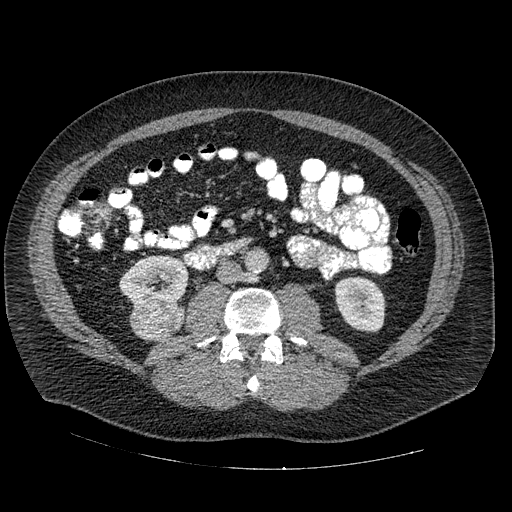
One axial slice (248 of 445, counting up from the lowest) of an arterial-phase abdominal CT acquired with 120 kVp, kernel STANDARD; each pixel is 0.863 mm and the slice is 1.25 mm thick.
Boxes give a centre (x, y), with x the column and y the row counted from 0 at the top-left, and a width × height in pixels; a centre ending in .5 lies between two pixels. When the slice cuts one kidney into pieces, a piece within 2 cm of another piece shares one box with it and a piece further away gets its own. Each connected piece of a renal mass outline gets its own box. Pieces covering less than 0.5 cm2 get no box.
Two kidney boxes and one renal mass box on this slice; by box centre, from the image's left to its right: (1) Right kidney, box centre (154, 282.5), 71 × 56 pixels (outlined area 2,746 px, about 20.5 cm2). (2) Right renal mass, box centre (156.5, 320.5), 56 × 44 pixels (outlined area 1,825 px, about 13.6 cm2). (3) Box centre (359.5, 304), 50 × 57 pixels: left kidney (outlined area 2,260 px, about 16.8 cm2).